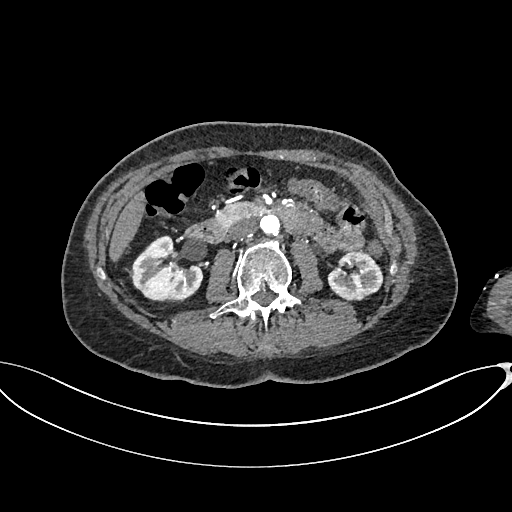
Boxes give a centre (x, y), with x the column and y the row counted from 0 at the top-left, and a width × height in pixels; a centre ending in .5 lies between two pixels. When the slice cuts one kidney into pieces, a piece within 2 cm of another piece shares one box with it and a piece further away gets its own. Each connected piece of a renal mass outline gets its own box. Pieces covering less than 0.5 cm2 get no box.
Arterial-phase contrast-enhanced abdominal CT, axial slice 366 of 665 (counted from the lowest slice); 1.00 mm thick, 0.828 mm per pixel. Two boxes on this slice (two kidney boxes), listed by box centre from the image's left to its right. (1) Box centre (165, 268.5), 77 × 68 pixels: right kidney (outlined area 3,379 px, about 23.2 cm2). (2) Left kidney in a box with centre (355, 275.5), 57 × 50 pixels (outlined area 2,077 px, about 14.2 cm2). This slice carries no renal mass outline.
Scan settings: 100 kVp, I26f reconstruction kernel.